One axial slice (134 of 262, counting up from the lowest) of an arterial-phase abdominal CT acquired with 120 kVp, kernel STANDARD; each pixel is 0.703 mm and the slice is 2.50 mm thick.
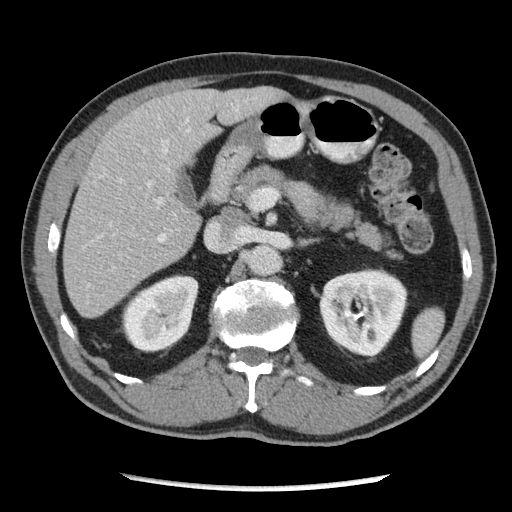
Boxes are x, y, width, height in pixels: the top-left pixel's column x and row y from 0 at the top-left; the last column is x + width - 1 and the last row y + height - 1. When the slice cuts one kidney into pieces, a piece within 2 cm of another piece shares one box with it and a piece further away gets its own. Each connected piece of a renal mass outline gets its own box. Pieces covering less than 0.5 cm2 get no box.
Two boxes on this slice (two kidney boxes), listed by box centre from the image's left to its right. (1) Right kidney, box x 121, y 274, width 78, height 79 (outlined area 4,467 px, about 22.1 cm2). (2) Left kidney, box x 319, y 269, width 89, height 88 (outlined area 5,913 px, about 29.2 cm2). No renal mass is outlined on this slice.